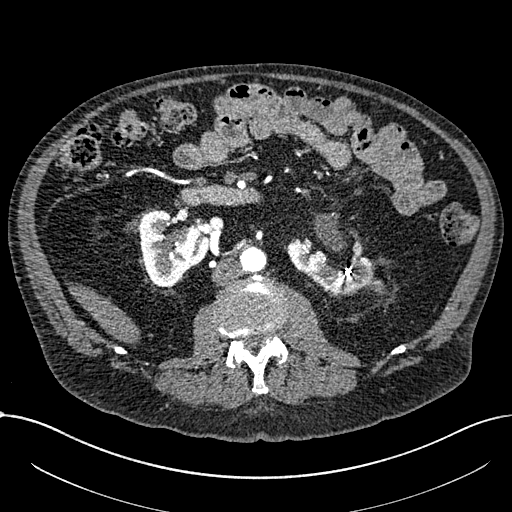
Abdominal CT with intravenous contrast, arterial phase, axial plane, 100 kVp, kernel I30f. Slice 355/1059 from the bottom of the scan; thickness 1.00 mm; pixel size 0.811 mm.
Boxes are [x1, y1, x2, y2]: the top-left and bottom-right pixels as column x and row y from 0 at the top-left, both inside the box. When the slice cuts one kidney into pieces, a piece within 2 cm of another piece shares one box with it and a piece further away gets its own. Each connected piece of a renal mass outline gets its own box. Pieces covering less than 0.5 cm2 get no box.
Boxed on this slice (two kidney boxes), listed by box centre from the image's left to its right: (1) Right part of the midline-crossing kidney, box [139, 210, 210, 287] (outlined area 3,700 px, about 24.3 cm2). (2) Box [286, 239, 385, 297]: left part of the midline-crossing kidney (outlined area 3,276 px, about 21.5 cm2). No renal mass outline on this slice.